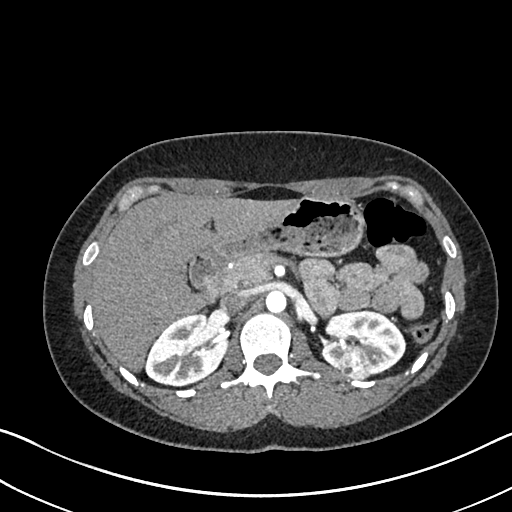
One axial slice (452 of 612, counting up from the lowest) of an arterial-phase abdominal CT acquired with 120 kVp, kernel I30f; each pixel is 0.703 mm and the slice is 1.00 mm thick.
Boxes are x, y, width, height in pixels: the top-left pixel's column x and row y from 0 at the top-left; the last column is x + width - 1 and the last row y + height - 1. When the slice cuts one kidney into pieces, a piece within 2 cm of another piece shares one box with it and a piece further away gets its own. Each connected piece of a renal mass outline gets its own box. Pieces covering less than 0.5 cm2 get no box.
Three boxes on this slice (two kidney boxes and one renal mass box), listed by box centre from the image's left to its right. (1) Box x 145, y 314, width 85, height 73: right kidney (outlined area 4,329 px, about 21.4 cm2). (2) Left renal mass, box x 340, y 350, width 32, height 29 (outlined area 757 px, about 3.7 cm2). (3) Left kidney at x 321, y 310, width 86, height 66 (outlined area 3,735 px, about 18.5 cm2).